Abdominal CT with intravenous contrast, arterial phase, axial plane, 100 kVp, kernel I30f. Slice 109/325 from the bottom of the scan; thickness 1.00 mm; pixel size 0.703 mm.
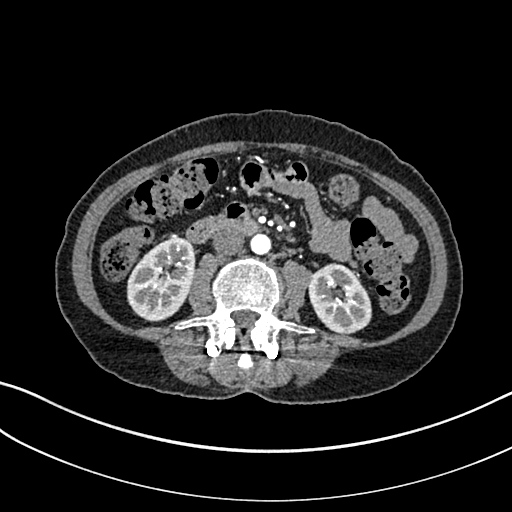
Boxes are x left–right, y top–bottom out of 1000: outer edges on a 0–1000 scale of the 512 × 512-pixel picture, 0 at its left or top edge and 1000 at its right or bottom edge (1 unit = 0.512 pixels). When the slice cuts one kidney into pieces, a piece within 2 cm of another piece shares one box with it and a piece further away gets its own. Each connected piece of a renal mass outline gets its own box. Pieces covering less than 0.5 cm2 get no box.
Boxed on this slice (two kidney boxes), listed by box centre from the image's left to its right: (1) Right kidney, box x 248–383, y 459–629 out of 1000 (outlined area 4,332 px, about 21.4 cm2). (2) Left kidney, box x 602–727, y 514–654 out of 1000 (outlined area 3,402 px, about 16.8 cm2). No renal mass is outlined on this slice.